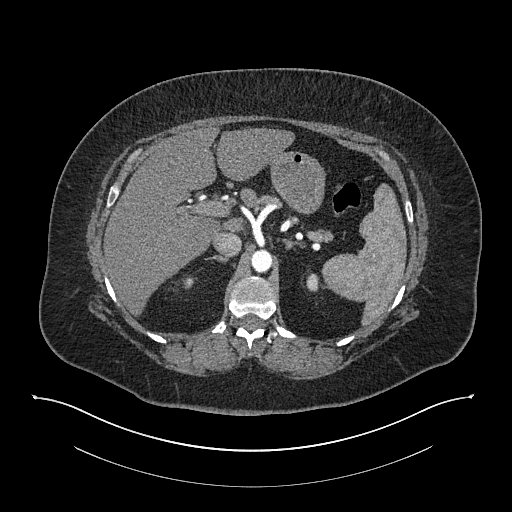
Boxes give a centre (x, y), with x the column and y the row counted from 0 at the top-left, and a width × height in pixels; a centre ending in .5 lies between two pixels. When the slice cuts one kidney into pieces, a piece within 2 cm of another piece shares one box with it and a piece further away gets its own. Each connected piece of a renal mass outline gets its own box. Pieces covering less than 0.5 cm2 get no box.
Arterial-phase contrast-enhanced abdominal CT, axial slice 575 of 673 (counted from the lowest slice); 1.00 mm thick, 0.957 mm per pixel. Boxed on this slice (two kidney boxes), listed by box centre from the image's left to its right: (1) Box centre (189, 282), 13 × 13 pixels: right kidney (outlined area 113 px, about 1.0 cm2). (2) Left kidney in a box with centre (312.5, 282), 14 × 19 pixels (outlined area 206 px, about 1.9 cm2). No renal mass outline on this slice.
Scan settings: 140 kVp, I30f reconstruction kernel.